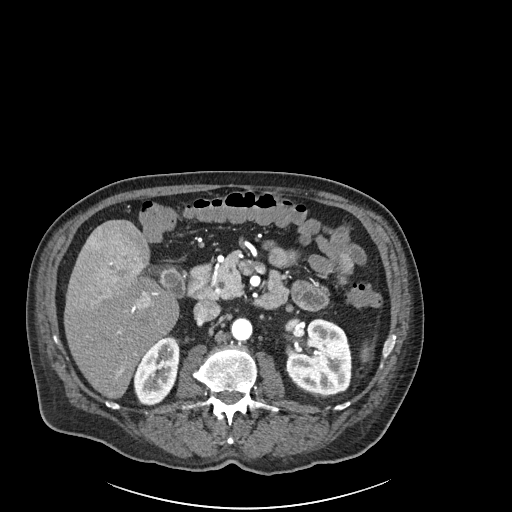
One axial slice (116 of 261, counting up from the lowest) of an arterial-phase abdominal CT acquired with 120 kVp, kernel I30f; each pixel is 0.939 mm and the slice is 2.00 mm thick.
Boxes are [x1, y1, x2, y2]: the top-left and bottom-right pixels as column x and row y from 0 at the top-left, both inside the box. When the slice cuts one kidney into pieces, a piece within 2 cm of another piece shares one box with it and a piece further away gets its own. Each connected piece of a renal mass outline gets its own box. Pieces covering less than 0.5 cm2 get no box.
Two kidney boxes on this slice; by box centre, from the image's left to its right: (1) Right kidney at [133, 335, 180, 406] (outlined area 2,369 px, about 20.9 cm2). (2) Box [286, 317, 352, 393]: left kidney (outlined area 4,025 px, about 35.5 cm2). This slice carries no renal mass outline.